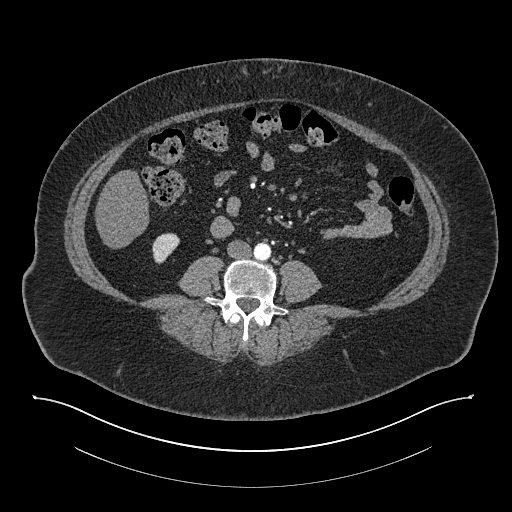
Arterial-phase contrast-enhanced abdominal CT, axial slice 332 of 673 (counted from the lowest slice); tube voltage 140 kVp, convolution kernel I30f; slices 1.00 mm thick, 0.957 mm per pixel.
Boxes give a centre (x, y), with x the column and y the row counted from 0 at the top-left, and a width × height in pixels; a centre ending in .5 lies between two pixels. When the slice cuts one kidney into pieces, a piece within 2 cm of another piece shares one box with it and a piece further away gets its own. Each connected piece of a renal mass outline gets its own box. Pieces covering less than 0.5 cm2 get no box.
Right kidney, box centre (165.5, 248), 28 × 31 pixels (outlined area 599 px, about 5.5 cm2). No renal mass is outlined on this slice.